Axial slice 336 of 591 of a contrast-enhanced abdominal CT in the arterial phase (slice 1 is the lowest), 140 kVp, kernel I30f; 1.00 mm slice thickness and 0.703 mm pixels.
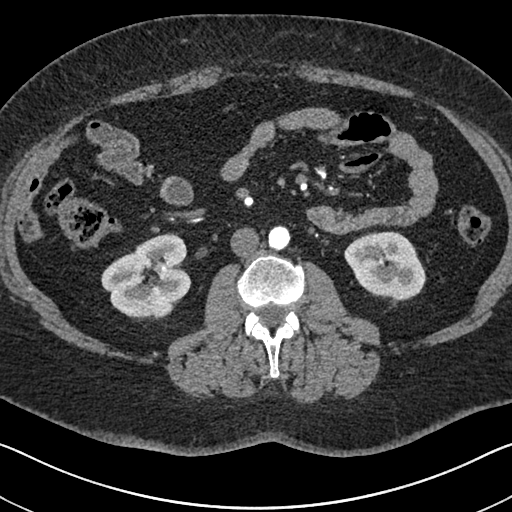
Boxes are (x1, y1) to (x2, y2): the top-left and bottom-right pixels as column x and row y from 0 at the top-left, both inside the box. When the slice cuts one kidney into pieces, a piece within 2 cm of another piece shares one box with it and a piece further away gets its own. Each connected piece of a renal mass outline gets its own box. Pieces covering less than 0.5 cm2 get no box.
Two boxes on this slice (two kidney boxes), listed by box centre from the image's left to its right. (1) Box (101, 233) to (191, 320): right kidney (outlined area 5,511 px, about 27.2 cm2). (2) Left kidney from (344, 231) to (426, 305) (outlined area 4,252 px, about 21.0 cm2). No renal mass is outlined on this slice.